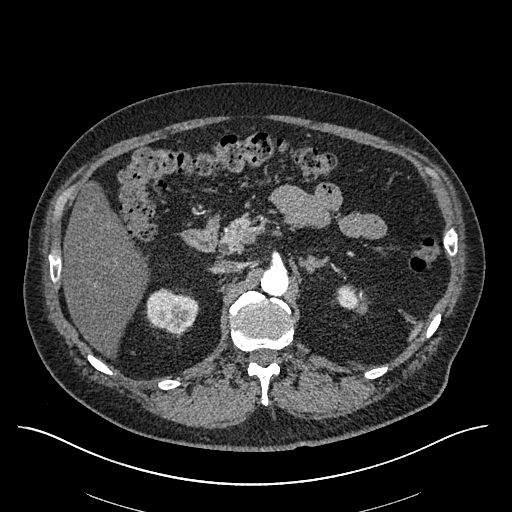
Abdominal CT with intravenous contrast, arterial phase, axial plane, 120 kVp, kernel I30f. Slice 392/670 from the bottom of the scan; thickness 1.00 mm; pixel size 0.861 mm.
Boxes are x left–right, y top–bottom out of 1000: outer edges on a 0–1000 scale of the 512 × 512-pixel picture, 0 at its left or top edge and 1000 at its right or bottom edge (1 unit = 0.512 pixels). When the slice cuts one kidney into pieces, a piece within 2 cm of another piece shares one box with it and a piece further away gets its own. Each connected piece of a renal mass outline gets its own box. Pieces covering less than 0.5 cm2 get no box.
Boxed on this slice (two kidney boxes), listed by box centre from the image's left to its right: (1) Right kidney at x 283–387, y 564–654 out of 1000 (outlined area 1,772 px, about 13.1 cm2). (2) Box x 656–707, y 557–607 out of 1000: left kidney (outlined area 477 px, about 3.5 cm2). No renal mass outline on this slice.